Abdominal CT with intravenous contrast, arterial phase, axial plane, 120 kVp, kernel STANDARD. Slice 38/69 from the bottom of the scan; thickness 2.50 mm; pixel size 0.846 mm.
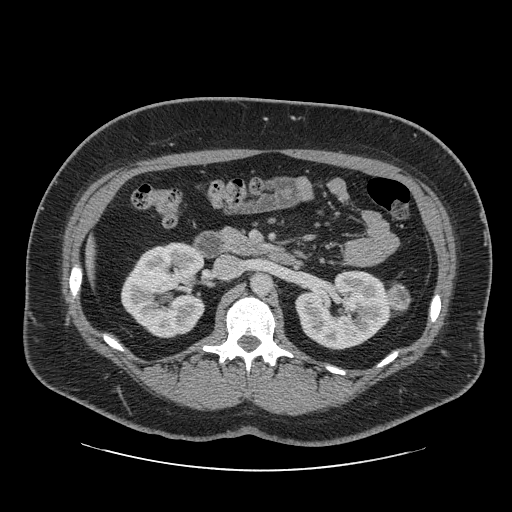
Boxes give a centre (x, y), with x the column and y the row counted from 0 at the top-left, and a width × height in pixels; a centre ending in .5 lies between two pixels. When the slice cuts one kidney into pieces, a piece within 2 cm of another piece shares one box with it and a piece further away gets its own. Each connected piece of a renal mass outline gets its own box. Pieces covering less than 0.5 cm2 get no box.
Two kidney boxes and one renal mass box on this slice; by box centre, from the image's left to its right: (1) Right kidney in a box with centre (163, 290), 85 × 97 pixels (outlined area 6,262 px, about 44.8 cm2). (2) Box centre (345, 309.5), 101 × 80 pixels: left kidney (outlined area 5,487 px, about 39.2 cm2). (3) Left renal mass in a box with centre (398, 297.5), 27 × 34 pixels (outlined area 628 px, about 4.5 cm2).